Abdominal CT with intravenous contrast, arterial phase, axial plane, 120 kVp, kernel I30f. Slice 368/527 from the bottom of the scan; thickness 1.00 mm; pixel size 0.859 mm.
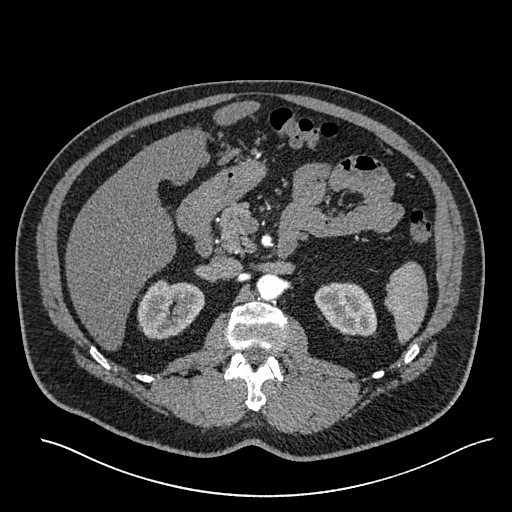
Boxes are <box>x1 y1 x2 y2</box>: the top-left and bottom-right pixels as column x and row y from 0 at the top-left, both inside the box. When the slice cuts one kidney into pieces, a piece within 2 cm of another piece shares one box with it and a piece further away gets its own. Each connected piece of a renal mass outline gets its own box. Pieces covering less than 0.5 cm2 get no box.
Two kidney boxes on this slice; by box centre, from the image's left to its right: (1) Right kidney at <box>137 278 204 339</box> (outlined area 3,046 px, about 22.5 cm2). (2) Left kidney: <box>314 282 377 336</box> (outlined area 2,570 px, about 19.0 cm2). No renal mass is outlined on this slice.